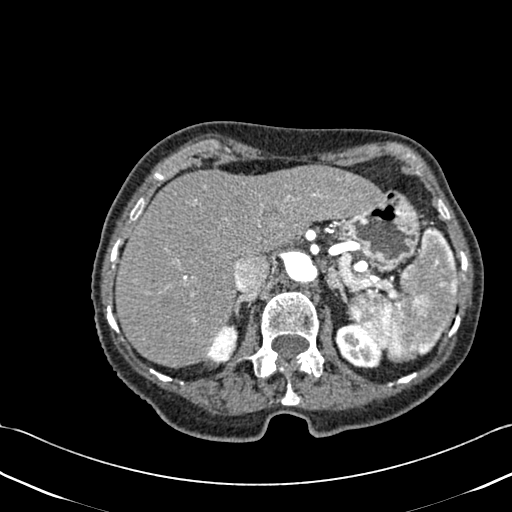
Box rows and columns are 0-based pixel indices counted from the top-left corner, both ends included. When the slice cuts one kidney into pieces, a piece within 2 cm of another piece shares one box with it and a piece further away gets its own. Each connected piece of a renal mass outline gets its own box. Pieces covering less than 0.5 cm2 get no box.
Slice 331/433 of a contrast-enhanced abdominal CT, counting up from the lowest; pixel size 0.672 mm, slice thickness 1.00 mm. Two kidney boxes on this slice; by box centre, from the image's left to its right: (1) Right kidney, box rows 321–368, columns 205–238 (outlined area 945 px, about 4.3 cm2). (2) Left kidney, box rows 322–368, columns 335–382 (outlined area 1,556 px, about 7.0 cm2). This slice carries no renal mass outline.
Tube voltage 120 kVp; convolution kernel B30f.